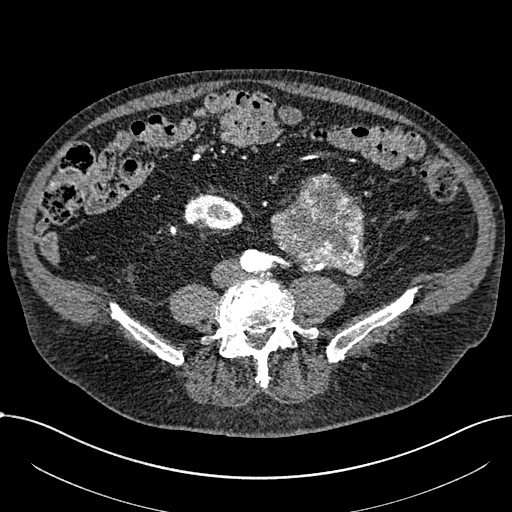
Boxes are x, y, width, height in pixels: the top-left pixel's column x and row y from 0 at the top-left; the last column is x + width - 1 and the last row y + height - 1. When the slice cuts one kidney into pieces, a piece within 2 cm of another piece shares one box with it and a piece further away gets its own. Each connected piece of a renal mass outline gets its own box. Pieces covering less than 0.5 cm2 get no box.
Slice 216/1059 of a contrast-enhanced abdominal CT in the arterial phase, counting up from the lowest; pixel size 0.811 mm, slice thickness 1.00 mm. Boxed on this slice (one kidney box and one renal mass box), listed by box centre from the image's left to its right: (1) Box x 183, y 193, width 60, height 39: right part of the midline-crossing kidney (outlined area 1,671 px, about 11.0 cm2). (2) Renal mass at x 271, y 173, width 96, height 104 (outlined area 6,922 px, about 45.5 cm2); here it is more than 1 cm from any kidney outline, though on another slice the same outlined renal mass lies within 1 cm of the kidney.
Tube voltage 100 kVp; convolution kernel I30f.